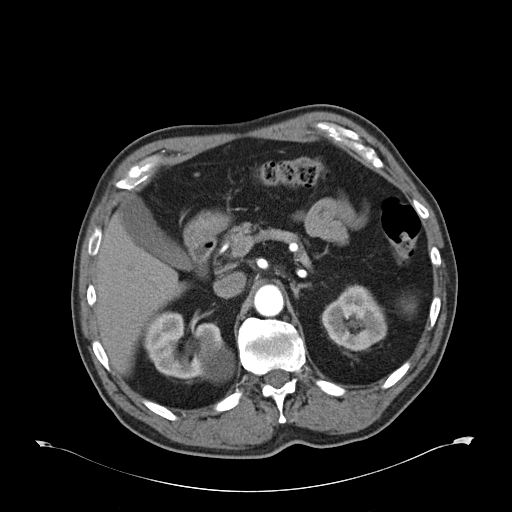
One axial slice (39 of 59, counting up from the lowest) of an arterial-phase abdominal CT acquired with 120 kVp, kernel B30f; each pixel is 0.871 mm and the slice is 5.00 mm thick.
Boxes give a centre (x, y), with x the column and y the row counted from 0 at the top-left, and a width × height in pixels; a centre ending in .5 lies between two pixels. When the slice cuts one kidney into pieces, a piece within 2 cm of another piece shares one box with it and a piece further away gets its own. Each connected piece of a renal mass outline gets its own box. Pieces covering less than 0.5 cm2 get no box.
Boxed on this slice (two kidney boxes), listed by box centre from the image's left to its right: (1) Box centre (188, 346), 93 × 71 pixels: right kidney (outlined area 4,619 px, about 35.0 cm2). (2) Left kidney, box centre (354, 316.5), 67 × 66 pixels (outlined area 3,101 px, about 23.5 cm2). No renal mass outline on this slice.